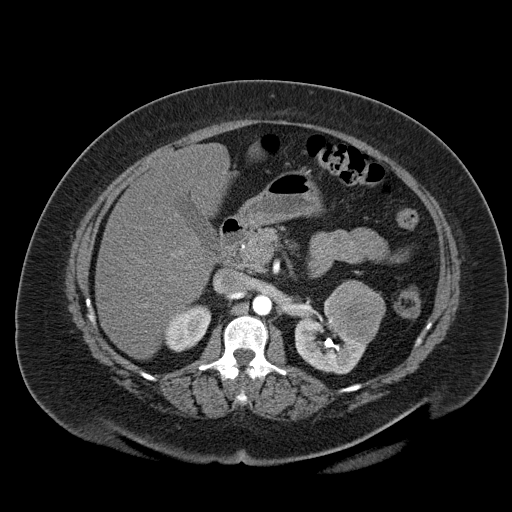
Axial slice 38 of 55 of a contrast-enhanced abdominal CT (slice 1 is the lowest), 120 kVp, kernel B30f; 5.00 mm slice thickness and 0.908 mm pixels.
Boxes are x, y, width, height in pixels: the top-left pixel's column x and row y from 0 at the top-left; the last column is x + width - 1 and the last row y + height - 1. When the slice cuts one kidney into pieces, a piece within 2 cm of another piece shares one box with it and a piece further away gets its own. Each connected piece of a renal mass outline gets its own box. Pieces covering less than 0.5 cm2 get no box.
Boxed on this slice (two kidney boxes and one renal mass box), listed by box centre from the image's left to its right: (1) Box x 165, y 305, width 47, height 48: right kidney (outlined area 1,514 px, about 12.5 cm2). (2) Left kidney, box x 294, y 314, width 75, height 61 (outlined area 2,712 px, about 22.4 cm2). (3) Left renal mass at x 324, y 280, width 62, height 63 (outlined area 2,802 px, about 23.1 cm2).